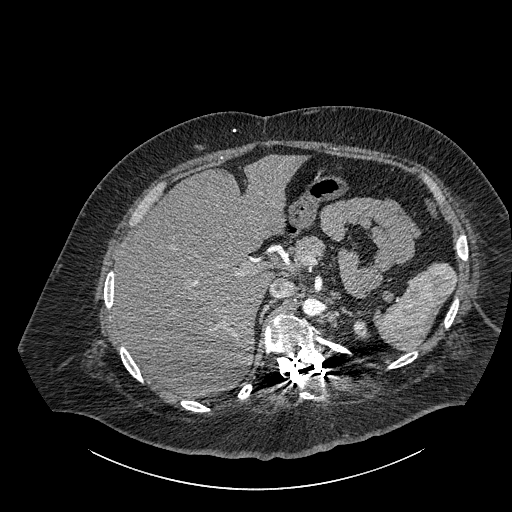
Contrast-enhanced abdominal CT, axial slice 650 of 834 (counted from the lowest slice); tube voltage 140 kVp, convolution kernel I30f; slices 1.00 mm thick, 0.977 mm per pixel.
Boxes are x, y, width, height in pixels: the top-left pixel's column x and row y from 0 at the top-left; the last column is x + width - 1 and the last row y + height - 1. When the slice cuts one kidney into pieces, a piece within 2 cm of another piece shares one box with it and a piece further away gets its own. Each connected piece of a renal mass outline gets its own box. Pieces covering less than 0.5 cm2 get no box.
Box x 353, y 319, width 18, height 21: left part of the midline-crossing kidney (outlined area 253 px, about 2.4 cm2). No renal mass outline on this slice.